Arterial-phase contrast-enhanced abdominal CT, axial slice 362 of 612 (counted from the lowest slice); tube voltage 120 kVp, convolution kernel I30f; slices 1.00 mm thick, 0.703 mm per pixel.
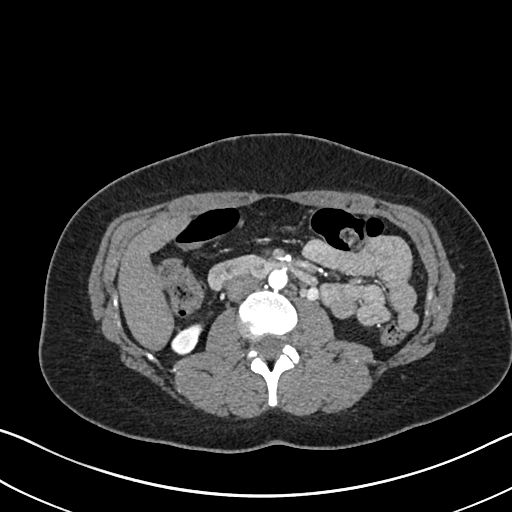
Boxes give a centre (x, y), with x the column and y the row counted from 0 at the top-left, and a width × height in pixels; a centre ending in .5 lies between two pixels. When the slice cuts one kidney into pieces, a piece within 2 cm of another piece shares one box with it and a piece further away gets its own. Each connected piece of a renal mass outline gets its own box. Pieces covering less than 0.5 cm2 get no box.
Right kidney, box centre (187, 338.5), 33 × 32 pixels (outlined area 666 px, about 3.3 cm2). No renal mass is outlined on this slice.